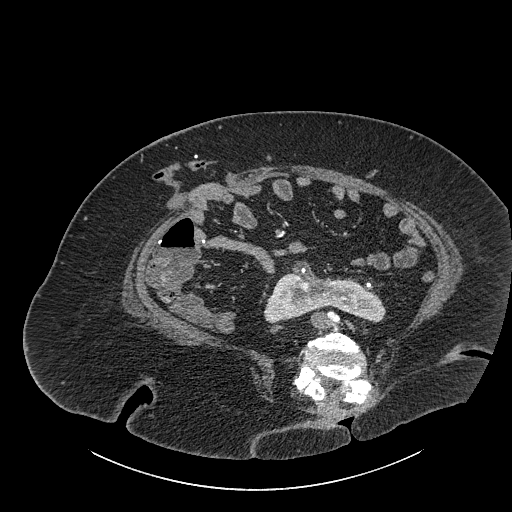
Contrast-enhanced abdominal CT, axial slice 435 of 834 (counted from the lowest slice); tube voltage 140 kVp, convolution kernel I30f; slices 1.00 mm thick, 0.977 mm per pixel.
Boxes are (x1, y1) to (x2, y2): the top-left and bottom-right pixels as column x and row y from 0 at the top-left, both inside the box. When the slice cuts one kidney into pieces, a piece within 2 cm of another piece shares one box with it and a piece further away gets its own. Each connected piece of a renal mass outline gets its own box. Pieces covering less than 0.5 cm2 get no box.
Kidney crossing the body midline, box (263, 261) to (385, 322) (outlined area 4,381 px, about 41.8 cm2). This slice carries no renal mass outline.